Abdominal CT with intravenous contrast, arterial phase, axial plane, 120 kVp, kernel I30f. Slice 417/602 from the bottom of the scan; thickness 1.00 mm; pixel size 0.799 mm.
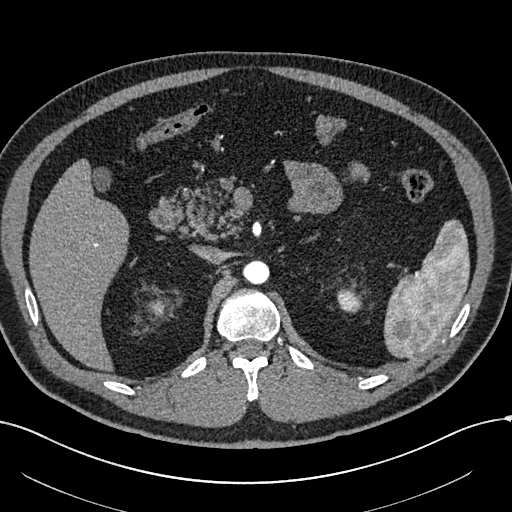
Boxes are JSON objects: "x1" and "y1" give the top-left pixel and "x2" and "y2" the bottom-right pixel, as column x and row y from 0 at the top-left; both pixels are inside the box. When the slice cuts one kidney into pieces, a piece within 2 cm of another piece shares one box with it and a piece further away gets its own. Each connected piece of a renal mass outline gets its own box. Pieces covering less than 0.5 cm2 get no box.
Two kidney boxes on this slice; by box centre, from the image's left to its right: (1) Right kidney, box {"x1": 149, "y1": 302, "x2": 162, "y2": 315} (outlined area 149 px, about 1.0 cm2). (2) Left kidney, box {"x1": 337, "y1": 288, "x2": 360, "y2": 312} (outlined area 447 px, about 2.9 cm2). No renal mass outline on this slice.